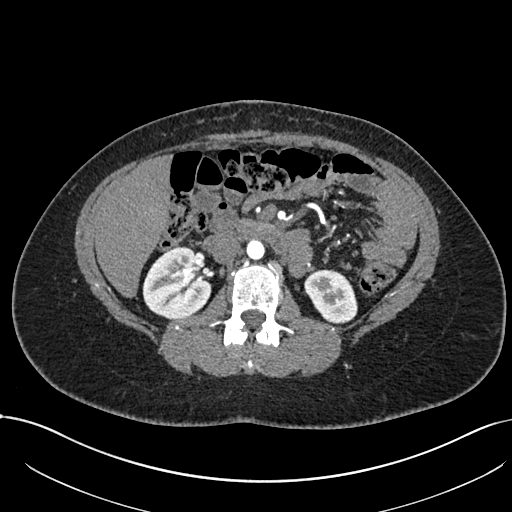
One axial slice (411 of 738, counting up from the lowest) of an arterial-phase abdominal CT acquired with 120 kVp, kernel I30f; each pixel is 0.789 mm and the slice is 1.00 mm thick.
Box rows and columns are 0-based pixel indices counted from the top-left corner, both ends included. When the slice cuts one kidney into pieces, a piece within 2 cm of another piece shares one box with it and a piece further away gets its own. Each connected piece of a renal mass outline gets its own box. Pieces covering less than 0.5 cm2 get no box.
Two boxes on this slice (two kidney boxes), listed by box centre from the image's left to its right. (1) Right kidney at rows 246–319, columns 142–211 (outlined area 3,763 px, about 23.4 cm2). (2) Left kidney at rows 269–324, columns 304–357 (outlined area 2,174 px, about 13.5 cm2). No renal mass outline on this slice.